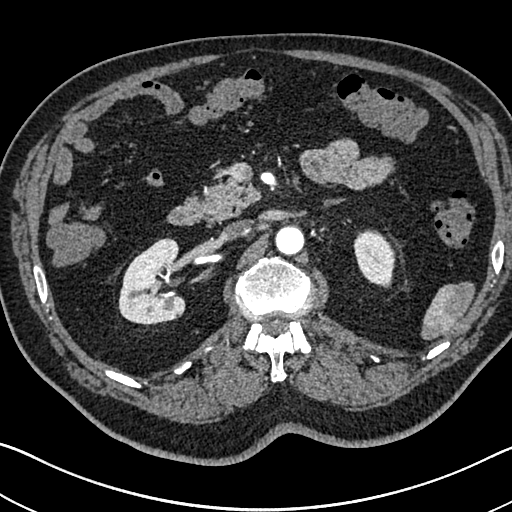
Arterial-phase contrast-enhanced abdominal CT, axial slice 455 of 705 (counted from the lowest slice); tube voltage 120 kVp, convolution kernel I30f; slices 1.00 mm thick, 0.703 mm per pixel.
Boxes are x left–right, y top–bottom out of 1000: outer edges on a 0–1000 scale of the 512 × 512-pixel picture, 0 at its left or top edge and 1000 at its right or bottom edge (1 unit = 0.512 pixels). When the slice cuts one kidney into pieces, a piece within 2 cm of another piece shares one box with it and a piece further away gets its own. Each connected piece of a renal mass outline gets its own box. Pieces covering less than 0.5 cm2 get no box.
Boxed on this slice (two kidney boxes), listed by box centre from the image's left to its right: (1) Box x 230–363, y 465–637 out of 1000: right kidney (outlined area 4,325 px, about 21.4 cm2). (2) Left kidney, box x 689–773, y 447–564 out of 1000 (outlined area 1,839 px, about 9.1 cm2). This slice carries no renal mass outline.